Arterial-phase contrast-enhanced abdominal CT, axial slice 249 of 548 (counted from the lowest slice); tube voltage 120 kVp, convolution kernel I26f; slices 1.00 mm thick, 0.852 mm per pixel.
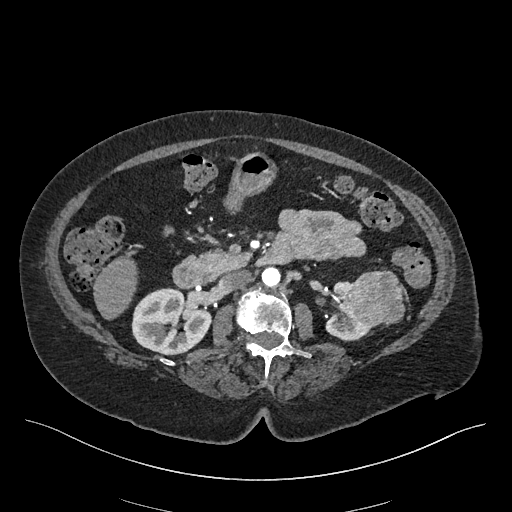
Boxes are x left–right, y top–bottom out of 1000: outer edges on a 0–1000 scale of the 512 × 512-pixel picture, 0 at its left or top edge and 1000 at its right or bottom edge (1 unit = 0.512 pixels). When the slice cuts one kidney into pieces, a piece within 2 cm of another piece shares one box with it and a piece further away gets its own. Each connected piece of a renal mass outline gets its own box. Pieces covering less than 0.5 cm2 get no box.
Two kidney boxes and one renal mass box on this slice; by box centre, from the image's left to its right: (1) Right kidney at x 256–414, y 561–695 out of 1000 (outlined area 4,096 px, about 29.7 cm2). (2) Box x 635–730, y 549–668 out of 1000: left kidney (outlined area 1,288 px, about 9.3 cm2). (3) Left renal mass at x 662–793, y 525–639 out of 1000 (outlined area 2,839 px, about 20.6 cm2).